Axial slice 425 of 1059 of a contrast-enhanced abdominal CT in the arterial phase (slice 1 is the lowest), 100 kVp, kernel I30f; 1.00 mm slice thickness and 0.811 mm pixels.
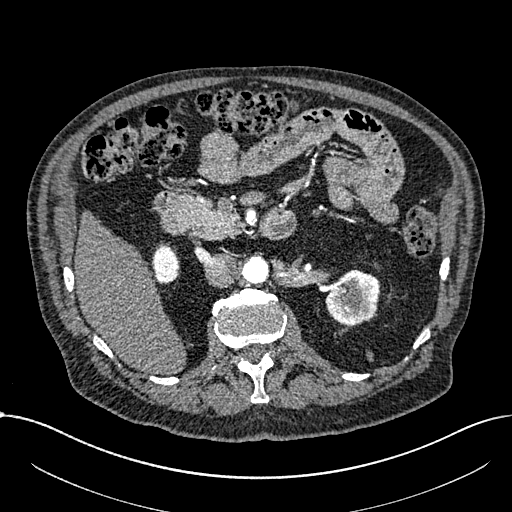
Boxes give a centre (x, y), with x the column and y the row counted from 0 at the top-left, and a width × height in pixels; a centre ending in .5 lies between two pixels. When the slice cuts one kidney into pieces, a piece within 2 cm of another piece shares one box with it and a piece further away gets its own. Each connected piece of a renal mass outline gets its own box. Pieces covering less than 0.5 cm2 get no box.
Two boxes on this slice (two kidney boxes), listed by box centre from the image's left to its right. (1) Box centre (165.5, 265), 28 × 39 pixels: right part of the midline-crossing kidney (outlined area 821 px, about 5.4 cm2). (2) Left part of the midline-crossing kidney, box centre (353, 297.5), 55 × 58 pixels (outlined area 2,383 px, about 15.7 cm2). No renal mass outline on this slice.